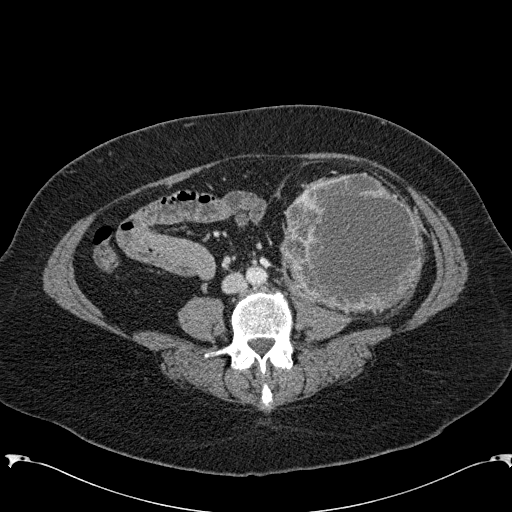
One axial slice (55 of 285, counting up from the lowest) of an arterial-phase abdominal CT acquired with 120 kVp, kernel B31f; each pixel is 0.762 mm and the slice is 2.00 mm thick.
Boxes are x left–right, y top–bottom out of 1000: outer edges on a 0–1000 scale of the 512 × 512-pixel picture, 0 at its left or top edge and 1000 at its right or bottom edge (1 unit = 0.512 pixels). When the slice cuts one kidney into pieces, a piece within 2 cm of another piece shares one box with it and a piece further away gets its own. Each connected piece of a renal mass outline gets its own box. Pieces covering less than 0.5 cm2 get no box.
Left renal mass, box x 547–830, y 336–617 out of 1000 (outlined area 15,938 px, about 92.5 cm2); no kidney outline appears on this slice, but the same outlined renal mass comes within 1 cm of the kidney on another slice.